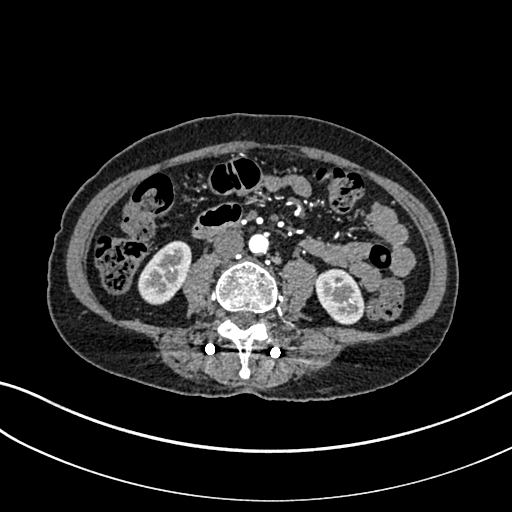
One axial slice (76 of 325, counting up from the lowest) of an arterial-phase abdominal CT acquired with 100 kVp, kernel I30f; each pixel is 0.703 mm and the slice is 1.00 mm thick.
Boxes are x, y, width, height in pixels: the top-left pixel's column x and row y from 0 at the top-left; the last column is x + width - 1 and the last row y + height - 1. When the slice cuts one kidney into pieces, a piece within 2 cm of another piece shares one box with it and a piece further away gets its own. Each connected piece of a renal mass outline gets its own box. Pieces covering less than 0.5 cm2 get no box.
Two kidney boxes on this slice; by box centre, from the image's left to its right: (1) Right kidney at x 137, y 240, width 55, height 65 (outlined area 2,399 px, about 11.9 cm2). (2) Left kidney at x 314, y 268, width 51, height 58 (outlined area 2,098 px, about 10.4 cm2). This slice carries no renal mass outline.